One axial slice (486 of 553, counting up from the lowest) of an arterial-phase abdominal CT acquired with 120 kVp, kernel B20f; each pixel is 0.773 mm and the slice is 1.00 mm thick.
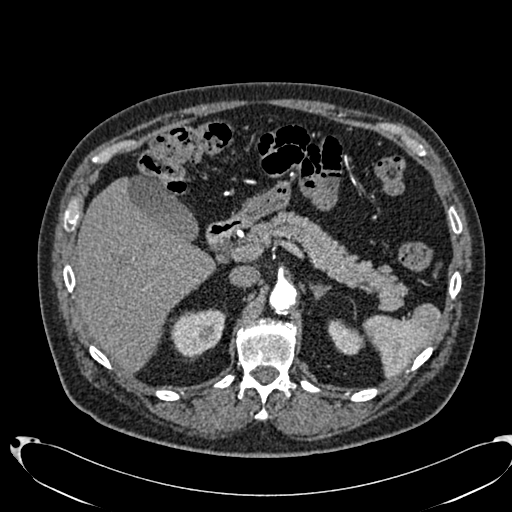
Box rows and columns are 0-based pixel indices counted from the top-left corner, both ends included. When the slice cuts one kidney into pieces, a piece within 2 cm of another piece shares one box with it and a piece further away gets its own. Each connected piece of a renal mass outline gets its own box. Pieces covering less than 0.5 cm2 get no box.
Boxed on this slice (two kidney boxes), listed by box centre from the image's left to its right: (1) Box rows 308–360, columns 170–225: right kidney (outlined area 2,063 px, about 12.3 cm2). (2) Box rows 319–355, columns 328–364: left kidney (outlined area 897 px, about 5.4 cm2). This slice carries no renal mass outline.